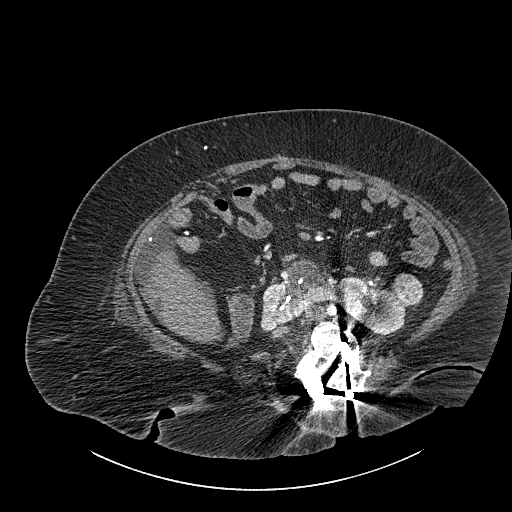
Axial slice 485 of 834 of a contrast-enhanced abdominal CT (slice 1 is the lowest), 140 kVp, kernel I30f; 1.00 mm slice thickness and 0.977 mm pixels.
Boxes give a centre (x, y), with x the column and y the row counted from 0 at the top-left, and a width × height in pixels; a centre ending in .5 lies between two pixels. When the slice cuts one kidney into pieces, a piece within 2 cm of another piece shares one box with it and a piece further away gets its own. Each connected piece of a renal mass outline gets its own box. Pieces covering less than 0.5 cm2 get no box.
Two boxes on this slice (one kidney box and one renal mass box), listed by box centre from the image's left to its right. (1) Kidney crossing the body midline, box centre (332.5, 296.5), 146 × 76 pixels (outlined area 5,796 px, about 55.3 cm2). (2) Renal mass, box centre (407, 289), 31 × 33 pixels (outlined area 798 px, about 7.6 cm2).